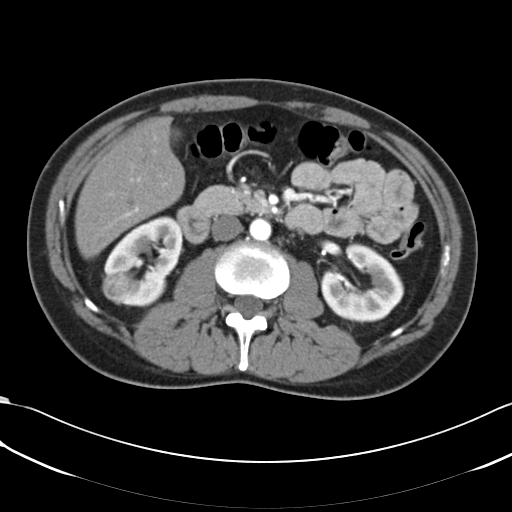
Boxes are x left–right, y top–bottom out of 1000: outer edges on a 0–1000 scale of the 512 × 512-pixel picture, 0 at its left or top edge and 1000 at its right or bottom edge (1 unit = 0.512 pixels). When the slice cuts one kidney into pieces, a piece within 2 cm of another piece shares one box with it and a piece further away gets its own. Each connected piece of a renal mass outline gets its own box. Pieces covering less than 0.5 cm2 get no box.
This is axial slice 36 of 66 (slice 1 is the lowest) of an arterial-phase abdominal CT with contrast; each pixel is 0.678 mm and the slice is 5.00 mm thick. Three boxes on this slice (two kidney boxes and one renal mass box), listed by box centre from the image's left to its right. (1) Box x 199–260, y 533–592 out of 1000: right renal mass (outlined area 747 px, about 3.4 cm2). (2) Box x 203–357, y 422–602 out of 1000: right kidney (outlined area 4,420 px, about 20.3 cm2). (3) Left kidney at x 627–789, y 475–633 out of 1000 (outlined area 4,258 px, about 19.6 cm2).
Scan settings: 120 kVp, B30f reconstruction kernel.